Contrast-enhanced abdominal CT, axial slice 57 of 90 (counted from the lowest slice); tube voltage 100 kVp, convolution kernel I40f; slices 5.00 mm thick, 0.684 mm per pixel.
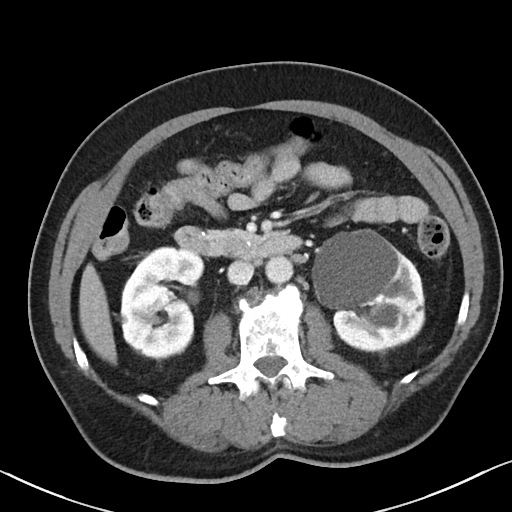
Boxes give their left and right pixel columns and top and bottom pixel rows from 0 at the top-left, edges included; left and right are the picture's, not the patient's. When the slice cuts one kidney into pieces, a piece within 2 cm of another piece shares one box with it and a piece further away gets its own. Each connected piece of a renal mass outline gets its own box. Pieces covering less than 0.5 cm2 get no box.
Two boxes on this slice (two kidney boxes), listed by box centre from the image's left to its right. (1) Right kidney, the box with left 117, top 246, right 204, bottom 358 (outlined area 7,377 px, about 34.5 cm2). (2) Box with left 312, top 229, right 425, bottom 352: left kidney (outlined area 10,558 px, about 49.3 cm2). This slice carries no renal mass outline.